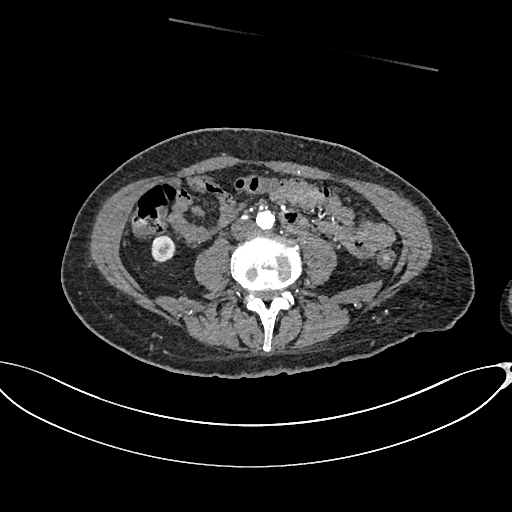
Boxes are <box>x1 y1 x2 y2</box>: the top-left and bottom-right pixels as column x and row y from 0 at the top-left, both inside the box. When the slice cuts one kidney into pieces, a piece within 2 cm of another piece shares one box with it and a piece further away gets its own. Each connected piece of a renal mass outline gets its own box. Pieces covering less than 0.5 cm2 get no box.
Slice 275/665 of a contrast-enhanced abdominal CT in the arterial phase, counting up from the lowest; pixel size 0.828 mm, slice thickness 1.00 mm. Right kidney: <box>151 234 175 262</box> (outlined area 567 px, about 3.9 cm2). This slice carries no renal mass outline.
Acquired at 100 kVp and reconstructed with the I26f kernel.